Axial slice 124 of 261 of a contrast-enhanced abdominal CT in the arterial phase (slice 1 is the lowest), 120 kVp, kernel I30f; 2.00 mm slice thickness and 0.939 mm pixels.
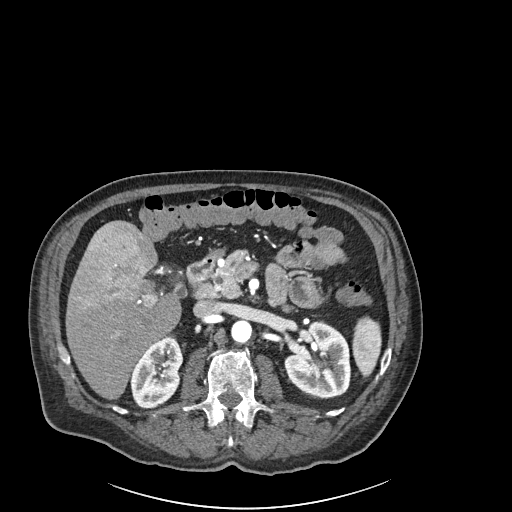
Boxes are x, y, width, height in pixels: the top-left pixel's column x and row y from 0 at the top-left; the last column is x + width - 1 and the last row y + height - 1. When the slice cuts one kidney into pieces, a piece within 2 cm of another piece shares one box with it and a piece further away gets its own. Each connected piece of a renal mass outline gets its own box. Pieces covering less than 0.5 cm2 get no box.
Two boxes on this slice (two kidney boxes), listed by box centre from the image's left to its right. (1) Right kidney at x 130, y 336, width 54, height 73 (outlined area 2,792 px, about 24.6 cm2). (2) Box x 284, y 321, width 67, height 77: left kidney (outlined area 3,869 px, about 34.1 cm2). No renal mass outline on this slice.